Axial slice 66 of 114 of a contrast-enhanced abdominal CT in the arterial phase (slice 1 is the lowest), 120 kVp, kernel B31f; 5.00 mm slice thickness and 0.781 mm pixels.
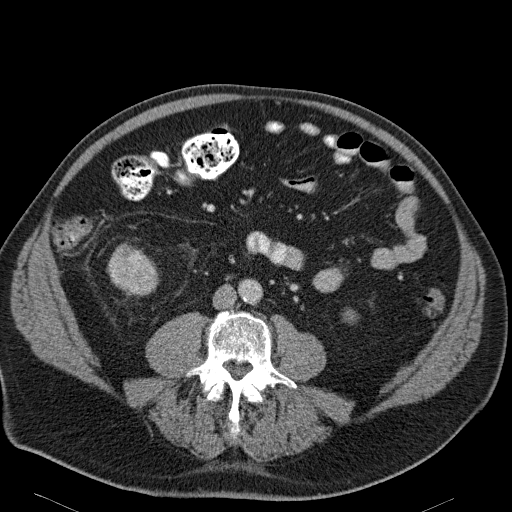
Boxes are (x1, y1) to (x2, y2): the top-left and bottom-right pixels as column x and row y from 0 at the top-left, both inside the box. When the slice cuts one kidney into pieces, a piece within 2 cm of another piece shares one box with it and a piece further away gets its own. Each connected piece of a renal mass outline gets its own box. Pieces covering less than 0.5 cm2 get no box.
Boxed on this slice (one kidney box and one renal mass box), listed by box centre from the image's left to its right: (1) Box (107, 242) to (159, 295): right renal mass (outlined area 2,004 px, about 12.2 cm2); here it is more than 1 cm from any kidney outline, though on another slice the same outlined renal mass lies within 1 cm of the kidney. (2) Box (342, 308) to (358, 324): left kidney (outlined area 191 px, about 1.2 cm2).